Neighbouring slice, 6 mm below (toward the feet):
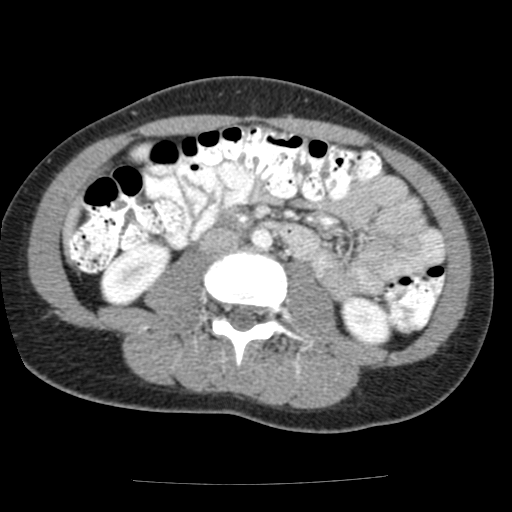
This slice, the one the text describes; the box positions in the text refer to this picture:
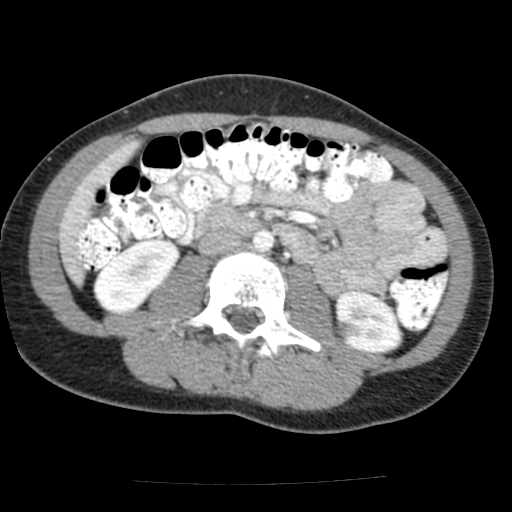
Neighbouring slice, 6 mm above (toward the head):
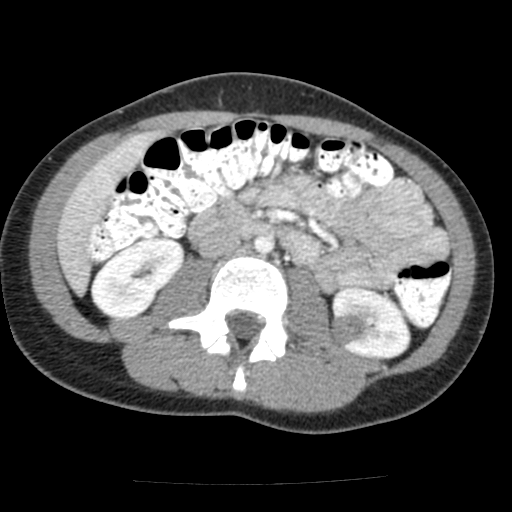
Arterial-phase contrast-enhanced abdominal CT, axial slice 71 of 117 (counted from the lowest slice); tube voltage 120 kVp, convolution kernel FC12; slices 3.00 mm thick, 0.518 mm per pixel.
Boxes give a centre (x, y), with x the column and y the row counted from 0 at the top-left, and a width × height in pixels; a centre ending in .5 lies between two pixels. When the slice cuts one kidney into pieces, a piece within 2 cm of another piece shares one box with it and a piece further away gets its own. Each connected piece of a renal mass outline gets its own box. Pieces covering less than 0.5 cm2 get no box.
Three boxes on this slice (two kidney boxes and one renal mass box), listed by box centre from the image's left to its right. (1) Right kidney in a box with centre (136.5, 276.5), 88 × 76 pixels (outlined area 4,344 px, about 11.7 cm2). (2) Left renal mass, box centre (342.5, 328.5), 18 × 18 pixels (outlined area 243 px, about 0.7 cm2). (3) Left kidney in a box with centre (369, 322), 71 × 63 pixels (outlined area 3,159 px, about 8.5 cm2). This slice lies near the end of the left renal mass toward the feet; the slices 6 mm below and 6 mm above it are shown too, and the boxes mark positions on this slice only.